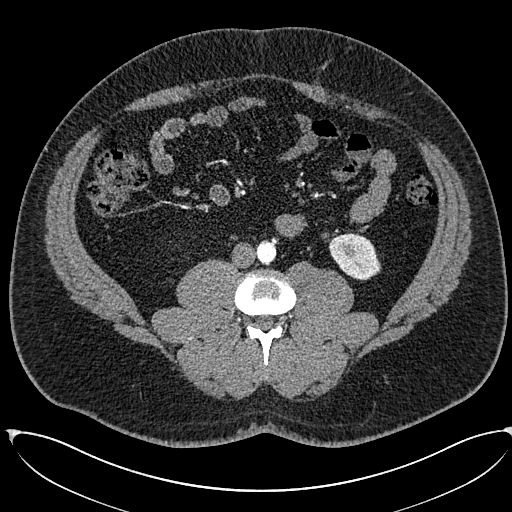
Arterial-phase contrast-enhanced abdominal CT, axial slice 240 of 673 (counted from the lowest slice); tube voltage 120 kVp, convolution kernel I30f; slices 1.00 mm thick, 0.855 mm per pixel.
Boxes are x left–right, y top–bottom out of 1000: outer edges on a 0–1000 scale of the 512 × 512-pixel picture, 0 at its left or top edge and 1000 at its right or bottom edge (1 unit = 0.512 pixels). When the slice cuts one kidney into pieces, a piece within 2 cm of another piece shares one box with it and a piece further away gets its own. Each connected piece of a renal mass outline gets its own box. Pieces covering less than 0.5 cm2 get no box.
Box x 641–746, y 455–549 out of 1000: left kidney (outlined area 1,805 px, about 13.2 cm2). No renal mass is outlined on this slice.